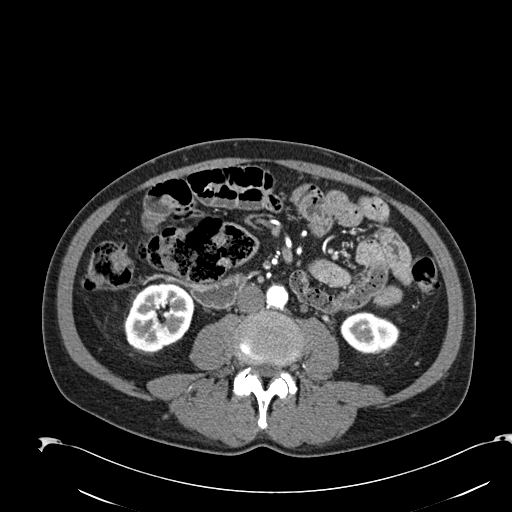
Arterial-phase contrast-enhanced abdominal CT, axial slice 70 of 274 (counted from the lowest slice); tube voltage 120 kVp, convolution kernel B30f; slices 2.00 mm thick, 0.809 mm per pixel.
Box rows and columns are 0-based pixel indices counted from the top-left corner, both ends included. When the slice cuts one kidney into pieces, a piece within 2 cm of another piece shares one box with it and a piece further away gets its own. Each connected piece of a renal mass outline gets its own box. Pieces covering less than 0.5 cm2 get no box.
Two boxes on this slice (two kidney boxes), listed by box centre from the image's left to its right. (1) Right kidney at rows 284–354, columns 123–192 (outlined area 3,673 px, about 24.0 cm2). (2) Left kidney at rows 311–353, columns 340–398 (outlined area 1,883 px, about 12.3 cm2). This slice carries no renal mass outline.